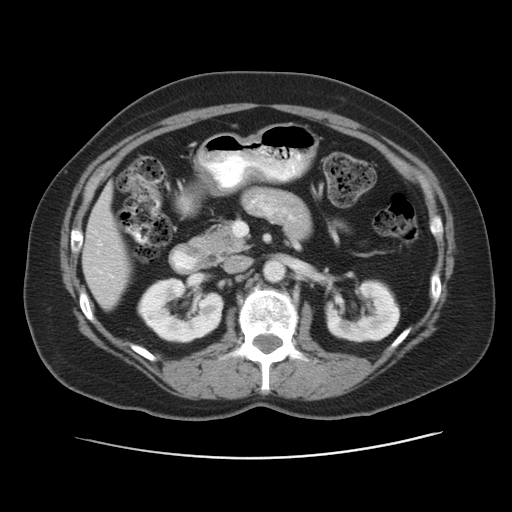
Axial slice 29 of 53 of a contrast-enhanced abdominal CT in the arterial phase (slice 1 is the lowest), 120 kVp, kernel STANDARD; 5.00 mm slice thickness and 0.703 mm pixels.
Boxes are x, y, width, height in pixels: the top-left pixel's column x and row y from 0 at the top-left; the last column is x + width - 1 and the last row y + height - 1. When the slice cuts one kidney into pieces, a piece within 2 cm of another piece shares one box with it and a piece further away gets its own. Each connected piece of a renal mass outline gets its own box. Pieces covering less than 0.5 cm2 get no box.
Two kidney boxes on this slice; by box centre, from the image's left to its right: (1) Box x 137, y 277, width 87, height 67: right kidney (outlined area 4,221 px, about 20.9 cm2). (2) Left kidney, box x 324, y 279, width 77, height 64 (outlined area 3,319 px, about 16.4 cm2). No renal mass outline on this slice.